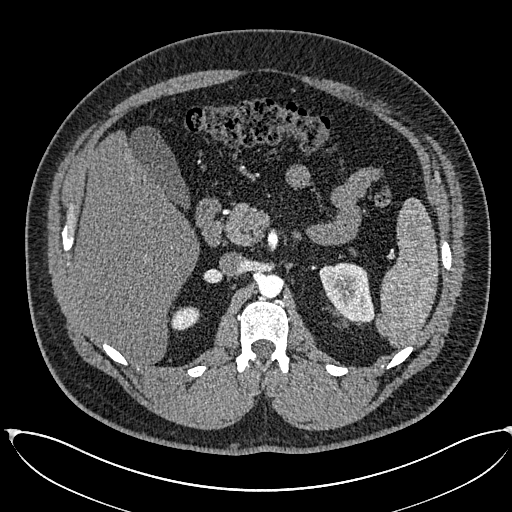
Axial slice 405 of 673 of a contrast-enhanced abdominal CT in the arterial phase (slice 1 is the lowest), 120 kVp, kernel I30f; 1.00 mm slice thickness and 0.855 mm pixels.
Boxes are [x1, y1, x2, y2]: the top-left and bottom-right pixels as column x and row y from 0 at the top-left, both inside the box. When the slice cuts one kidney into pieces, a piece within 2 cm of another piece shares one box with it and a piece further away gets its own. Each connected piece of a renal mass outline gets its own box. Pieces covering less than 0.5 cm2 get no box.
Boxed on this slice (two kidney boxes), listed by box centre from the image's left to its right: (1) Box [171, 306, 199, 330]: right kidney (outlined area 540 px, about 4.0 cm2). (2) Left kidney at [319, 262, 375, 322] (outlined area 2,436 px, about 17.8 cm2). No renal mass is outlined on this slice.